Abdominal CT with intravenous contrast, arterial phase, axial plane, 120 kVp, kernel I30f. Slice 227/541 from the bottom of the scan; thickness 1.00 mm; pixel size 0.834 mm.
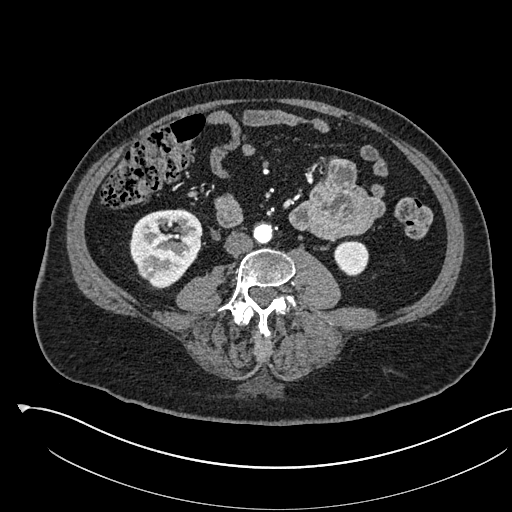
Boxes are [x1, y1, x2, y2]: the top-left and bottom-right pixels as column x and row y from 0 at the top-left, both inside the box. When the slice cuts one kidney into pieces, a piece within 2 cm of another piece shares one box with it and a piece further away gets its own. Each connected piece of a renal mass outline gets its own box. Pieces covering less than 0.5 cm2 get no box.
Boxed on this slice (two kidney boxes), listed by box centre from the image's left to its right: (1) Box [129, 209, 202, 289]: right kidney (outlined area 4,337 px, about 30.2 cm2). (2) Left kidney at [333, 241, 368, 274] (outlined area 973 px, about 6.8 cm2).